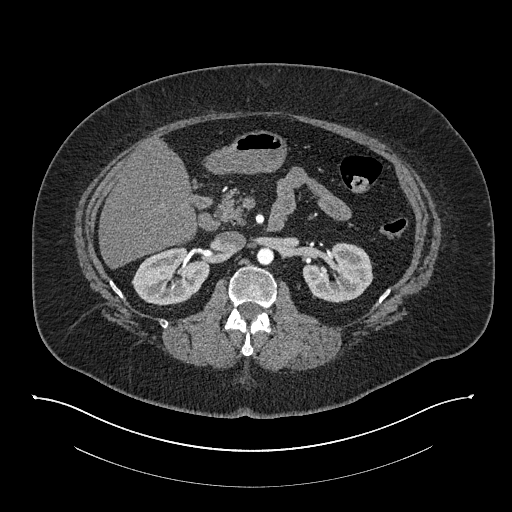
Axial slice 483 of 673 of a contrast-enhanced abdominal CT in the arterial phase (slice 1 is the lowest), 140 kVp, kernel I30f; 1.00 mm slice thickness and 0.957 mm pixels.
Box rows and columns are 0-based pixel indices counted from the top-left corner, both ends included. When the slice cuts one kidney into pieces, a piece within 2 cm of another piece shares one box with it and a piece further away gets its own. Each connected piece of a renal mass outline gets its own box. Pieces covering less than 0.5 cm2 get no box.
Two kidney boxes on this slice; by box centre, from the image's left to its right: (1) Right kidney, box rows 246–305, columns 131–210 (outlined area 3,342 px, about 30.6 cm2). (2) Left kidney, box rows 242–302, columns 302–373 (outlined area 3,128 px, about 28.6 cm2). No renal mass outline on this slice.